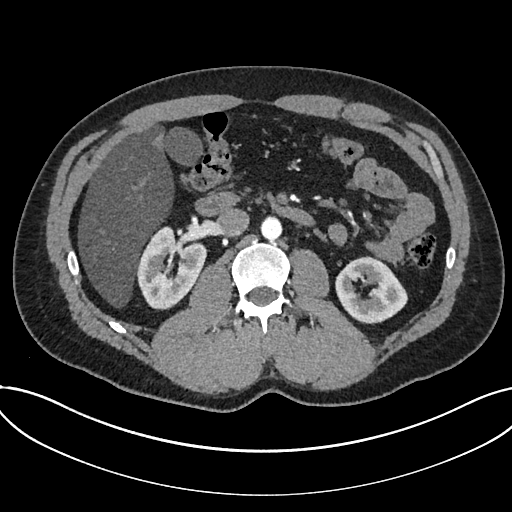
One axial slice (410 of 735, counting up from the lowest) of an arterial-phase abdominal CT acquired with 120 kVp, kernel I30f; each pixel is 0.789 mm and the slice is 1.00 mm thick.
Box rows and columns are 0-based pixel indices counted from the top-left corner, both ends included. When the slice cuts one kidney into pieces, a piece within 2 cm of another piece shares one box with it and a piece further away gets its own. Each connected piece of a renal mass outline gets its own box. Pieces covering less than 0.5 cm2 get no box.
Two boxes on this slice (two kidney boxes), listed by box centre from the image's left to its right. (1) Kidney, box rows 226–309, columns 136–207 (outlined area 4,101 px, about 25.5 cm2). (2) Kidney at rows 256–324, columns 335–407 (outlined area 3,431 px, about 21.4 cm2). No renal mass is outlined on this slice.